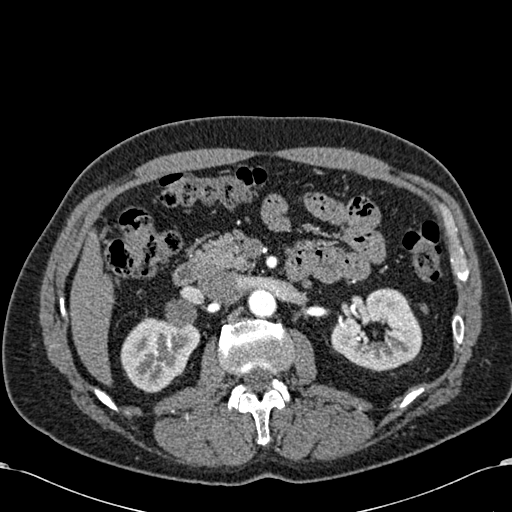
Axial slice 374 of 581 of a contrast-enhanced abdominal CT in the arterial phase (slice 1 is the lowest), 120 kVp, kernel B30f; 1.00 mm slice thickness and 0.713 mm pixels.
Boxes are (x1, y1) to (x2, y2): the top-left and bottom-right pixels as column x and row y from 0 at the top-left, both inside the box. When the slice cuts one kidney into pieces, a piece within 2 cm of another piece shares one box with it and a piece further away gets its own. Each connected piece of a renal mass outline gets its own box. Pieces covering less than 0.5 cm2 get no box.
Two kidney boxes on this slice; by box centre, from the image's left to its right: (1) Right kidney, box (120, 317) to (200, 392) (outlined area 4,308 px, about 21.9 cm2). (2) Left kidney from (331, 288) to (422, 371) (outlined area 5,188 px, about 26.4 cm2). No renal mass outline on this slice.